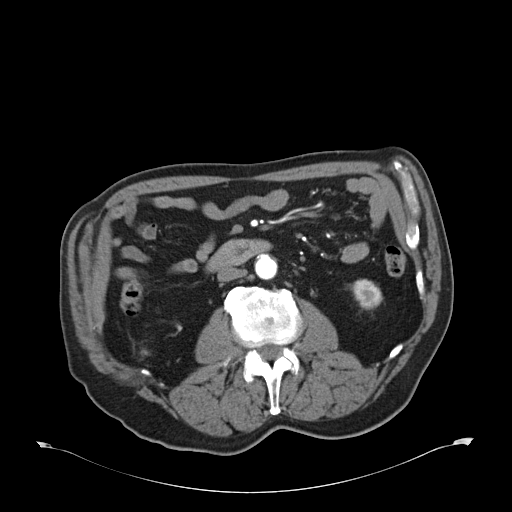
Axial slice 24 of 59 of a contrast-enhanced abdominal CT in the arterial phase (slice 1 is the lowest), 120 kVp, kernel B30f; 5.00 mm slice thickness and 0.871 mm pixels.
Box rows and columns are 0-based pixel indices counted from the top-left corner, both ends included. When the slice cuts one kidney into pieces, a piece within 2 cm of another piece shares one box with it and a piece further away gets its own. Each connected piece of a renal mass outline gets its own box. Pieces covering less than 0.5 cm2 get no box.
Left kidney, box rows 279–309, columns 351–382 (outlined area 724 px, about 5.5 cm2).